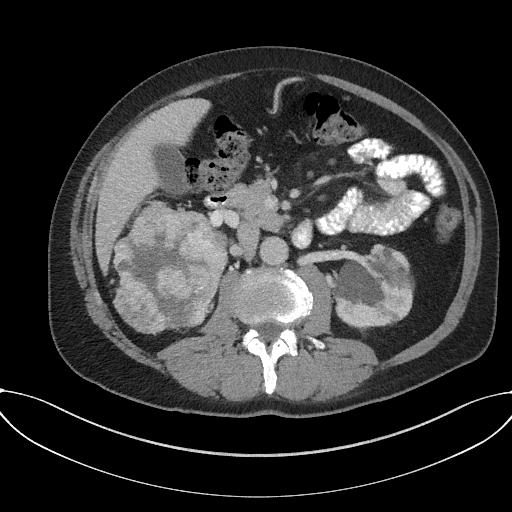
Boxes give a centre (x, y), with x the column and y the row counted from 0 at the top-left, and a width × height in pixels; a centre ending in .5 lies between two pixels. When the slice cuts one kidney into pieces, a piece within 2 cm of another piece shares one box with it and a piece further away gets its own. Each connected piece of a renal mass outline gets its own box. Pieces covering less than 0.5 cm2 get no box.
Arterial-phase contrast-enhanced abdominal CT, axial slice 93 of 227 (counted from the lowest slice); 3.00 mm thick, 0.816 mm per pixel. One kidney box and one renal mass box on this slice; by box centre, from the image's left to its right: (1) Box centre (170, 266.5), 117 × 134 pixels: right renal mass (outlined area 11,668 px, about 77.8 cm2); on this slice it lies more than 1 cm from any kidney outline, but the same outlined renal mass comes within 1 cm of the kidney on another slice. (2) Left kidney in a box with centre (374, 286), 79 × 85 pixels (outlined area 5,226 px, about 34.8 cm2).
Tube voltage 120 kVp; convolution kernel I31f.